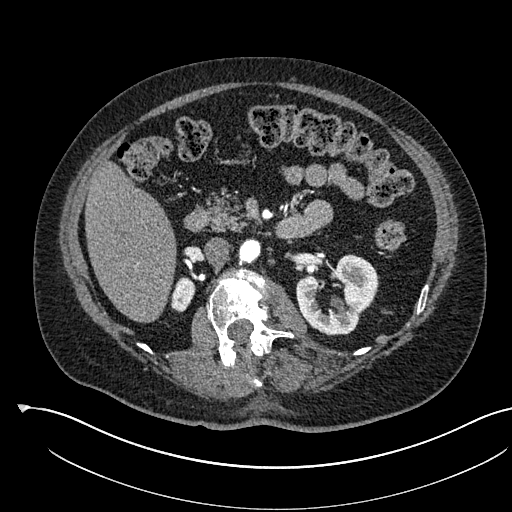
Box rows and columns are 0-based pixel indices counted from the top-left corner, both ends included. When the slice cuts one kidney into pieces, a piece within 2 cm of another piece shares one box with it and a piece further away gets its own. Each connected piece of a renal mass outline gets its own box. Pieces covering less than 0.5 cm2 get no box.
This is axial slice 337 of 541 (slice 1 is the lowest) of an arterial-phase abdominal CT with contrast; each pixel is 0.834 mm and the slice is 1.00 mm thick. Two boxes on this slice (two kidney boxes), listed by box centre from the image's left to its right. (1) Box rows 277–312, columns 170–195: right kidney (outlined area 646 px, about 4.5 cm2). (2) Box rows 254–335, columns 296–378: left kidney (outlined area 4,250 px, about 29.6 cm2). No renal mass outline on this slice.
Tube voltage 120 kVp; convolution kernel I30f.